One axial slice (541 of 834, counting up from the lowest) of a contrast-enhanced abdominal CT acquired with 140 kVp, kernel I30f; each pixel is 0.977 mm and the slice is 1.00 mm thick.
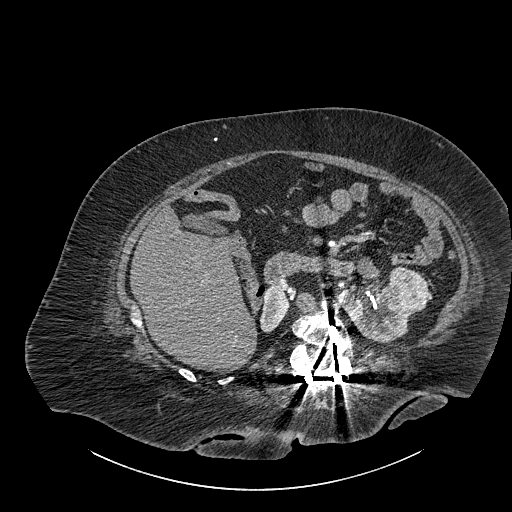
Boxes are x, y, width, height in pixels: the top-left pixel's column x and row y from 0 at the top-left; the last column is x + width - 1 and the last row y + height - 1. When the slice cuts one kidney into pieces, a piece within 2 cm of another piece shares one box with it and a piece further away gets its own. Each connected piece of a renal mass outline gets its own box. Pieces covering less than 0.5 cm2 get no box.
Three boxes on this slice (two kidney boxes and one renal mass box), listed by box centre from the image's left to its right. (1) Right part of the midline-crossing kidney at x 259, y 285, width 31, height 48 (outlined area 1,006 px, about 9.6 cm2). (2) Left part of the midline-crossing kidney at x 339, y 284, width 76, height 60 (outlined area 2,707 px, about 25.8 cm2). (3) Box x 389, y 266, width 40, height 47: renal mass (outlined area 1,400 px, about 13.4 cm2).